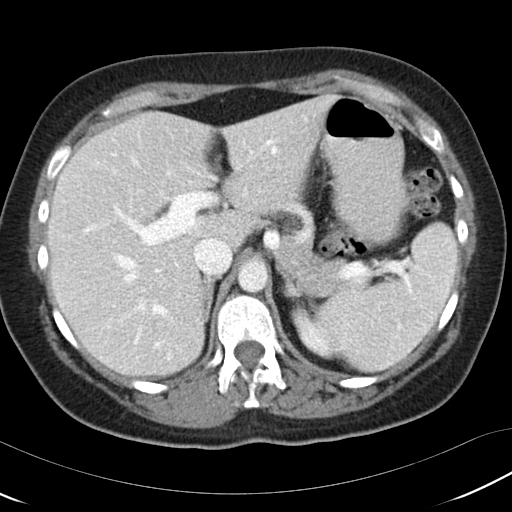
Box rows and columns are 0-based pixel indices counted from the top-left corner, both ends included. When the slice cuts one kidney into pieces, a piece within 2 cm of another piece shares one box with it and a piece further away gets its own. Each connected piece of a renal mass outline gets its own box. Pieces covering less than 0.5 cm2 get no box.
Slice 77/97 of a contrast-enhanced abdominal CT, counting up from the lowest; pixel size 0.664 mm, slice thickness 5.00 mm. Box rows 302–359, columns 290–336: left kidney (outlined area 1,282 px, about 5.7 cm2). This slice carries no renal mass outline.
Scan settings: 120 kVp, B30f reconstruction kernel.